Abdominal CT with intravenous contrast, axial plane, 130 kVp, kernel B31s. Slice 204/314 from the bottom of the scan; thickness 2.50 mm; pixel size 0.934 mm.
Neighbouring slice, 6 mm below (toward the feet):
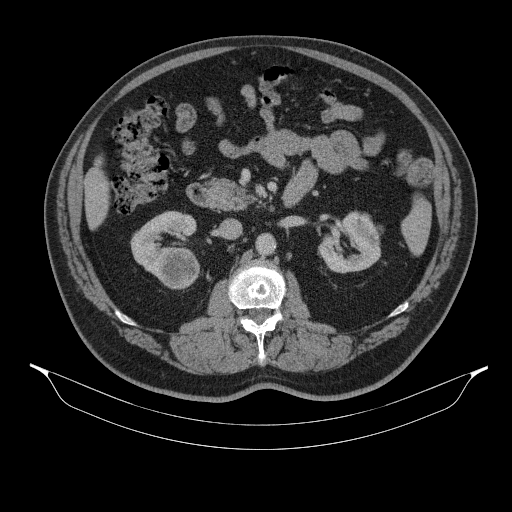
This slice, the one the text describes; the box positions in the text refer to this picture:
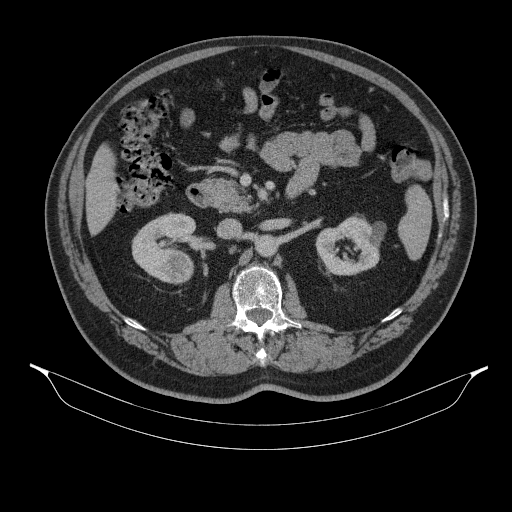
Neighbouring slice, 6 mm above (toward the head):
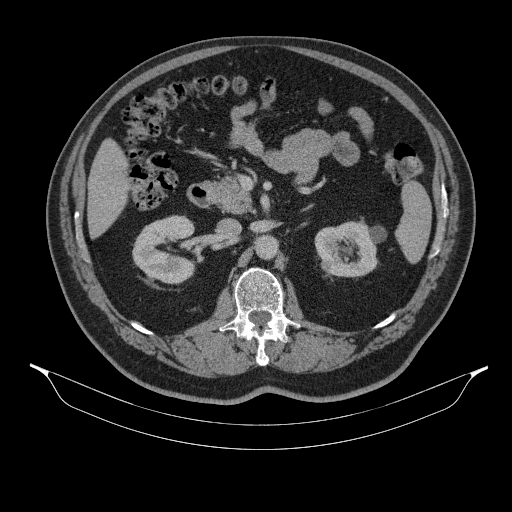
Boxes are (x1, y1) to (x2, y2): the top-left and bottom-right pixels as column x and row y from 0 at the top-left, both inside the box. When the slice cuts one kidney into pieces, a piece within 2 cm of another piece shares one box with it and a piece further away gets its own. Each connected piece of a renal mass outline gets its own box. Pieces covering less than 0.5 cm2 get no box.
Boxed on this slice (two kidney boxes and one renal mass box), listed by box centre from the image's left to its right: (1) Box (131, 213) to (196, 284): right kidney (outlined area 2,932 px, about 25.6 cm2). (2) Box (164, 252) to (190, 279): right renal mass (outlined area 622 px, about 5.4 cm2). (3) Left kidney, box (315, 213) to (385, 275) (outlined area 2,939 px, about 25.6 cm2). This slice is near the end of the right renal mass toward the head, so the slices 6 mm below and 6 mm above it are shown as well; the boxes refer to this slice only.